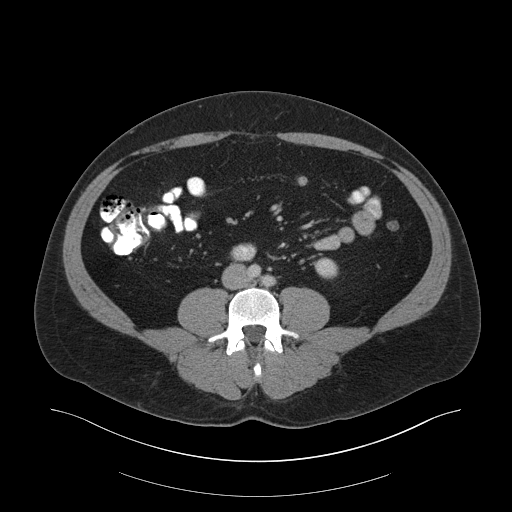
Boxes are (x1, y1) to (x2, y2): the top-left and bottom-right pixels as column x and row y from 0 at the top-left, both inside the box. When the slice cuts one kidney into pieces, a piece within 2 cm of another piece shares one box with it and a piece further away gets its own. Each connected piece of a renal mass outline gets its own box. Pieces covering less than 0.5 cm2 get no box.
Arterial-phase contrast-enhanced abdominal CT, axial slice 83 of 159 (counted from the lowest slice); 3.00 mm thick, 0.977 mm per pixel. Left kidney, box (314, 257) to (337, 278) (outlined area 391 px, about 3.7 cm2). No renal mass is outlined on this slice.
Tube voltage 140 kVp; convolution kernel B30f.